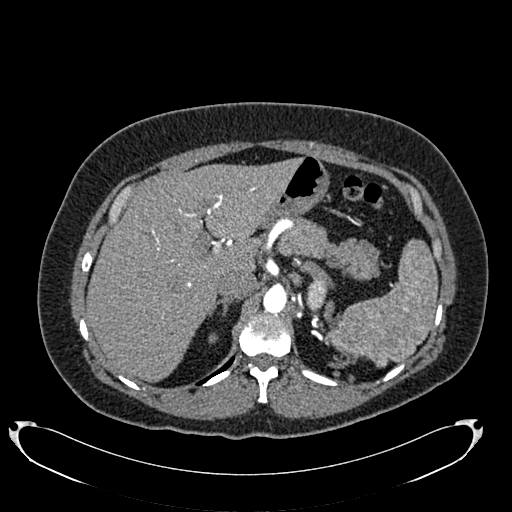
One axial slice (542 of 634, counting up from the lowest) of an arterial-phase abdominal CT acquired with 120 kVp, kernel B20f; each pixel is 0.838 mm and the slice is 1.00 mm thick.
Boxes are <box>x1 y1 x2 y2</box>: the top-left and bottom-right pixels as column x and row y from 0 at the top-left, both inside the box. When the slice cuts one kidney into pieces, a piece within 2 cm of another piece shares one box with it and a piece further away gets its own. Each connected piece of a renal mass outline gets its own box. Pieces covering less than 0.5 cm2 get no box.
Left kidney: <box>306 277 327 312</box> (outlined area 574 px, about 4.0 cm2). This slice carries no renal mass outline.